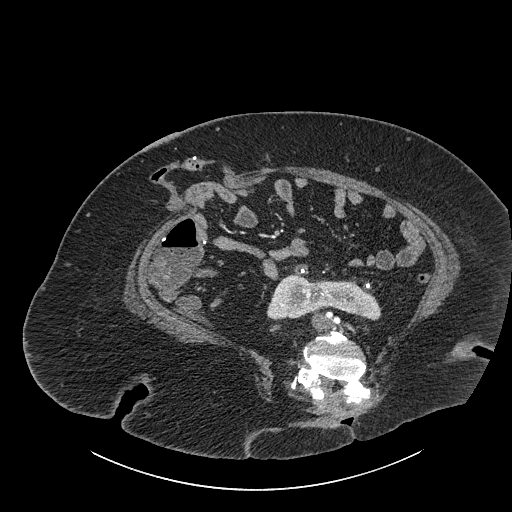
Contrast-enhanced abdominal CT, axial slice 427 of 834 (counted from the lowest slice); tube voltage 140 kVp, convolution kernel I30f; slices 1.00 mm thick, 0.977 mm per pixel.
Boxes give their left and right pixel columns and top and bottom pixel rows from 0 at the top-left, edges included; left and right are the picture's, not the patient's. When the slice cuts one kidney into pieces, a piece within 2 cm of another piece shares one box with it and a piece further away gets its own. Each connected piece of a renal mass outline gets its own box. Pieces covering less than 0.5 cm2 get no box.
Kidney crossing the body midline in the box with left 266, top 271, right 381, bottom 320 (outlined area 3,698 px, about 35.3 cm2). This slice carries no renal mass outline.